Arterial-phase contrast-enhanced abdominal CT, axial slice 28 of 285 (counted from the lowest slice); tube voltage 120 kVp, convolution kernel B31f; slices 2.00 mm thick, 0.762 mm per pixel.
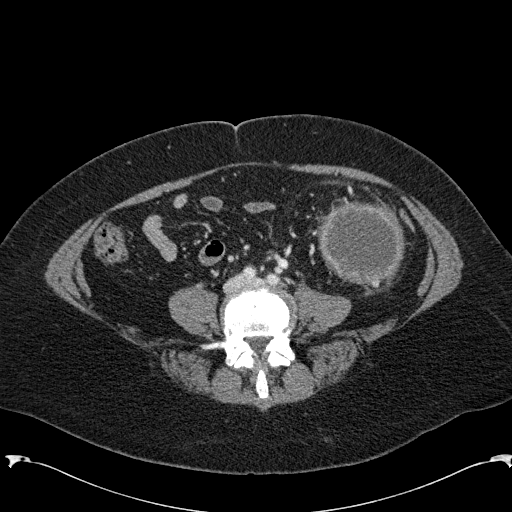
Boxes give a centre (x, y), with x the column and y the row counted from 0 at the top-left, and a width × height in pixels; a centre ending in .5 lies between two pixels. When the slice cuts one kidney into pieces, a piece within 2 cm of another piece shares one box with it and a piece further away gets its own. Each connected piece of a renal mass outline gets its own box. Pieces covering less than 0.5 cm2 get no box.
Left renal mass, box centre (360.5, 242), 88 × 83 pixels (outlined area 5,811 px, about 33.7 cm2); no kidney outline appears on this slice, but the same outlined renal mass comes within 1 cm of the kidney on another slice.